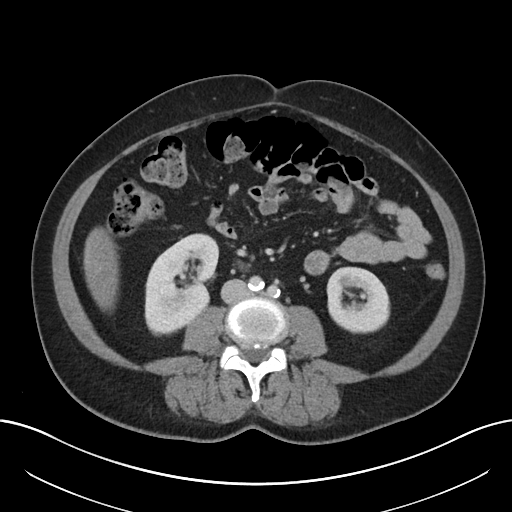
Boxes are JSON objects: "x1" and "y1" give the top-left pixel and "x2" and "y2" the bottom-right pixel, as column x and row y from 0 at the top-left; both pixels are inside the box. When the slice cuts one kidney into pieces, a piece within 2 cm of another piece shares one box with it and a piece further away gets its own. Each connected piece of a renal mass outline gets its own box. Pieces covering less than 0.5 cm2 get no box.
This is axial slice 100 of 197 (slice 1 is the lowest) of an abdominal CT with contrast; each pixel is 0.791 mm and the slice is 5.00 mm thick. Two kidney boxes on this slice; by box centre, from the image's left to its right: (1) Right kidney at {"x1": 144, "y1": 233, "x2": 218, "y2": 336} (outlined area 5,429 px, about 34.0 cm2). (2) Left kidney at {"x1": 326, "y1": 266, "x2": 390, "y2": 333} (outlined area 3,470 px, about 21.7 cm2). This slice carries no renal mass outline.
Scan settings: 120 kVp, I30f reconstruction kernel.